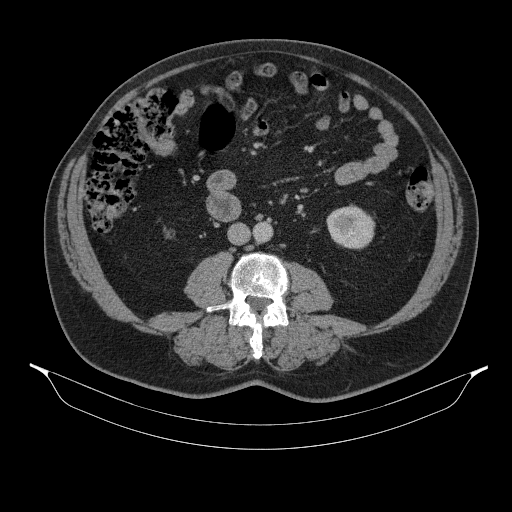
One axial slice (168 of 314, counting up from the lowest) of a contrast-enhanced abdominal CT acquired with 130 kVp, kernel B31s; each pixel is 0.934 mm and the slice is 2.50 mm thick.
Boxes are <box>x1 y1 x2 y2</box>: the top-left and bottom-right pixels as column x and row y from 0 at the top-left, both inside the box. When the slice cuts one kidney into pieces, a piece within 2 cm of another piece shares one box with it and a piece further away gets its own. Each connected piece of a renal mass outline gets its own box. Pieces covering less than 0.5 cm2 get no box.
Left kidney: <box>326 204 375 249</box> (outlined area 1,688 px, about 14.7 cm2). No renal mass is outlined on this slice.